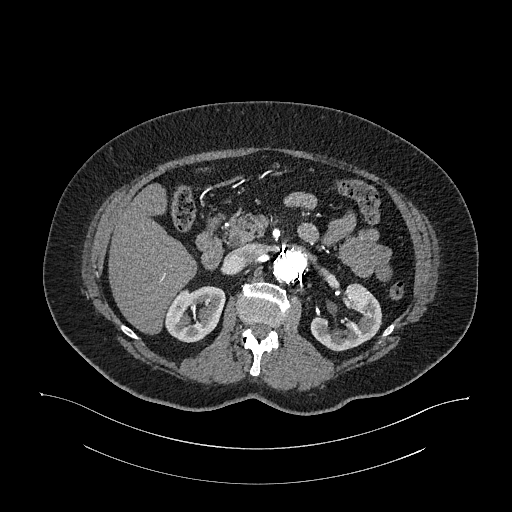
One axial slice (687 of 987, counting up from the lowest) of an arterial-phase abdominal CT acquired with 120 kVp, kernel I26f; each pixel is 0.977 mm and the slice is 1.00 mm thick.
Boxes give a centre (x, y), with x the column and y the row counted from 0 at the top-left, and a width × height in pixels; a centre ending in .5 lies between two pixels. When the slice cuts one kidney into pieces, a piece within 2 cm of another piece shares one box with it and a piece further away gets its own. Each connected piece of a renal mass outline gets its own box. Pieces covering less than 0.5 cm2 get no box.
Two boxes on this slice (two kidney boxes), listed by box centre from the image's left to its right. (1) Right kidney in a box with centre (194.5, 314), 62 × 57 pixels (outlined area 2,556 px, about 24.4 cm2). (2) Left kidney in a box with centre (345.5, 317), 72 × 69 pixels (outlined area 2,810 px, about 26.8 cm2). No renal mass is outlined on this slice.